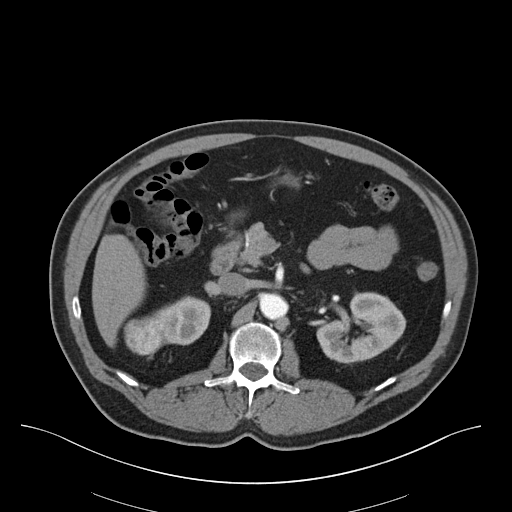
Contrast-enhanced abdominal CT, axial slice 38 of 75 (counted from the lowest slice); tube voltage 140 kVp, convolution kernel B30f; slices 3.00 mm thick, 0.875 mm per pixel.
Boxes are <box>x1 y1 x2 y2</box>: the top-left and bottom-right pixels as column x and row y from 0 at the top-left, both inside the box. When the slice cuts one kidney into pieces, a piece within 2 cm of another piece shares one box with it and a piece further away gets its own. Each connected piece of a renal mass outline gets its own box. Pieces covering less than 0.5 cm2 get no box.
Two kidney boxes and one renal mass box on this slice; by box centre, from the image's left to its right: (1) Right renal mass at <box>124 317 166 358</box> (outlined area 1,327 px, about 10.2 cm2). (2) Right kidney: <box>146 296 210 345</box> (outlined area 2,001 px, about 15.3 cm2). (3) Left kidney: <box>316 292 406 363</box> (outlined area 4,288 px, about 32.8 cm2).